Abdominal CT with intravenous contrast, arterial phase, axial plane, 100 kVp, kernel I30f. Slice 98/304 from the bottom of the scan; thickness 2.00 mm; pixel size 0.809 mm.
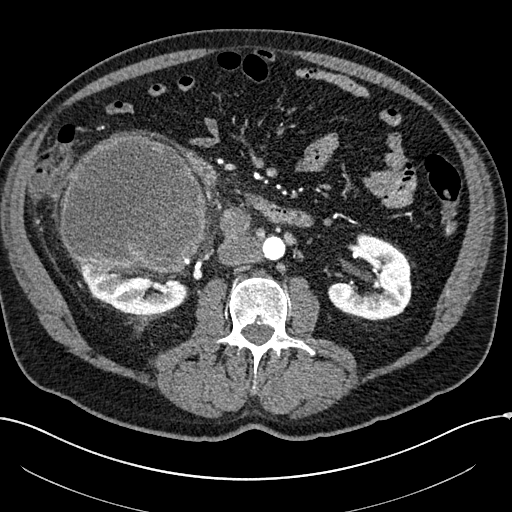
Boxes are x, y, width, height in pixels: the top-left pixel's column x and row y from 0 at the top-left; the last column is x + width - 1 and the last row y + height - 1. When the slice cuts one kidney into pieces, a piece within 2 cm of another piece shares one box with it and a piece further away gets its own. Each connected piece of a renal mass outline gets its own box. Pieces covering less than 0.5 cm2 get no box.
Three boxes on this slice (two kidney boxes and one renal mass box), listed by box centre from the image's left to its right. (1) Right renal mass at x 59, y 135, width 148, height 140 (outlined area 16,396 px, about 107.2 cm2). (2) Box x 80, y 264, width 109, height 51: right kidney (outlined area 3,714 px, about 24.3 cm2). (3) Left kidney, box x 327, y 233, width 86, height 88 (outlined area 4,854 px, about 31.7 cm2).